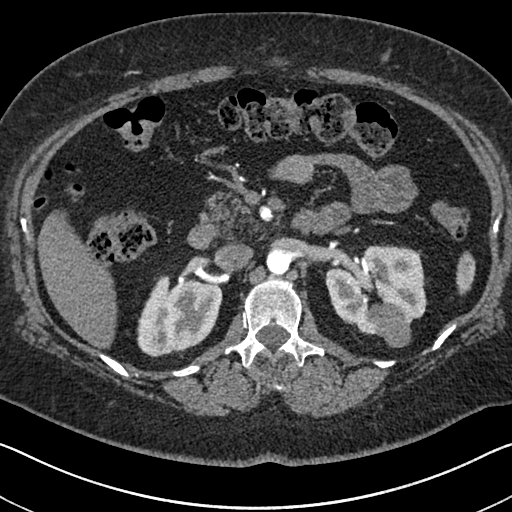
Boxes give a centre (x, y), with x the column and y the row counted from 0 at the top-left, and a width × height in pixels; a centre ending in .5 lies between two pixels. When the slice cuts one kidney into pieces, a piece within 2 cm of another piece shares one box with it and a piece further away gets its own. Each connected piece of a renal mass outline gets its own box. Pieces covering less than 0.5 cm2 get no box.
This is axial slice 429 of 591 (slice 1 is the lowest) of an arterial-phase abdominal CT with contrast; each pixel is 0.703 mm and the slice is 1.00 mm thick. Boxed on this slice (two kidney boxes and one renal mass box), listed by box centre from the image's left to its right: (1) Right kidney, box centre (179.5, 315), 86 × 83 pixels (outlined area 5,185 px, about 25.6 cm2). (2) Left kidney in a box with centre (376, 289), 103 × 91 pixels (outlined area 5,946 px, about 29.4 cm2). (3) Left renal mass in a box with centre (389, 325), 45 × 45 pixels (outlined area 1,420 px, about 7.0 cm2).
Scan settings: 140 kVp, I30f reconstruction kernel.